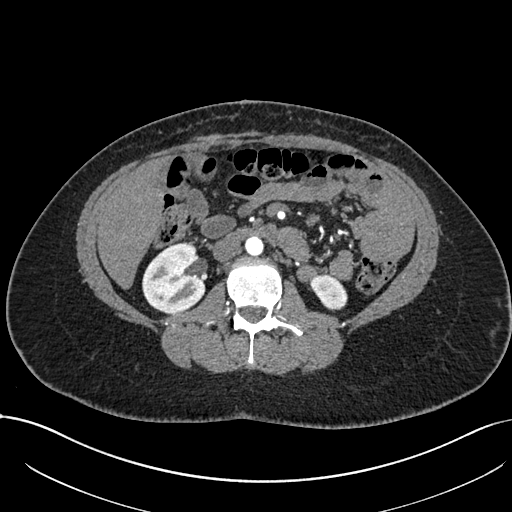
Abdominal CT with intravenous contrast, arterial phase, axial plane, 120 kVp, kernel I30f. Slice 392/738 from the bottom of the scan; thickness 1.00 mm; pixel size 0.789 mm.
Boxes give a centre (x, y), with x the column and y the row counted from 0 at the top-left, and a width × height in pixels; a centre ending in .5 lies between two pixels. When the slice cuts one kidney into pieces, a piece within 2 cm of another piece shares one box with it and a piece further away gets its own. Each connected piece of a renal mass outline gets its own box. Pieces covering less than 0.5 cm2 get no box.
Two kidney boxes on this slice; by box centre, from the image's left to its right: (1) Right kidney, box centre (173.5, 277.5), 64 × 72 pixels (outlined area 3,476 px, about 21.6 cm2). (2) Left kidney, box centre (328.5, 292), 38 × 39 pixels (outlined area 1,003 px, about 6.2 cm2). No renal mass is outlined on this slice.